Axial slice 431 of 612 of a contrast-enhanced abdominal CT in the arterial phase (slice 1 is the lowest), 120 kVp, kernel I30f; 1.00 mm slice thickness and 0.703 mm pixels.
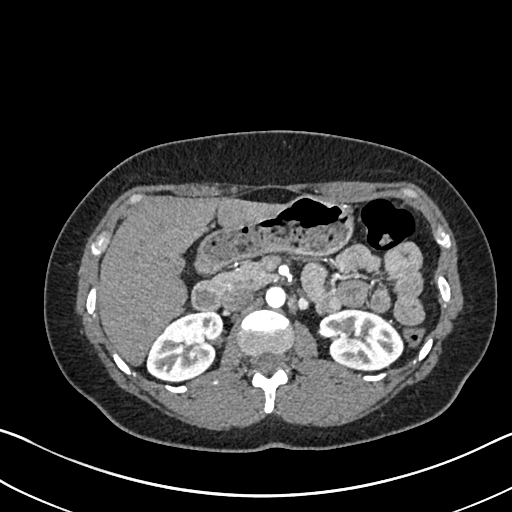
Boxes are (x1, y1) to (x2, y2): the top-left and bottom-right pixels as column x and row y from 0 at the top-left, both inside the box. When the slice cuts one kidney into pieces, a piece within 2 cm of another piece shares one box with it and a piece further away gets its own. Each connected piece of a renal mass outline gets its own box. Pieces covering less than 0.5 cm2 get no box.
Boxed on this slice (two kidney boxes), listed by box centre from the image's left to its right: (1) Right kidney from (146, 311) to (224, 382) (outlined area 3,945 px, about 19.5 cm2). (2) Left kidney from (318, 307) to (403, 371) (outlined area 3,872 px, about 19.1 cm2).